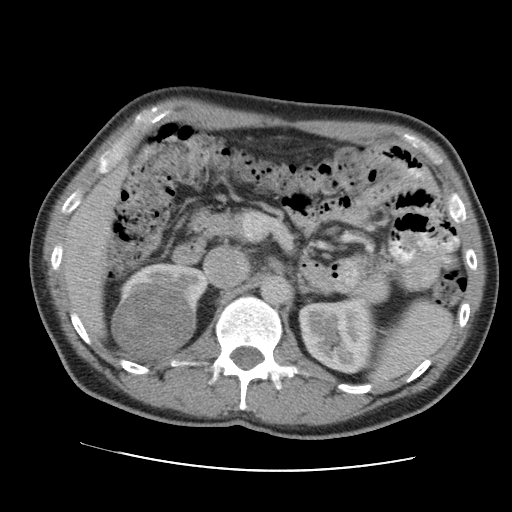
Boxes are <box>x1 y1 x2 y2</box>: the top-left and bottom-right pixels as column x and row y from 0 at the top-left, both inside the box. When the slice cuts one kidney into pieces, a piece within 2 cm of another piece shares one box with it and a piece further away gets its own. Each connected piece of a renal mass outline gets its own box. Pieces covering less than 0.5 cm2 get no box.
This is axial slice 76 of 105 (slice 1 is the lowest) of an arterial-phase abdominal CT with contrast; each pixel is 0.707 mm and the slice is 5.00 mm thick. Boxed on this slice (two kidney boxes and one renal mass box), listed by box centre from the image's left to its right: (1) Right renal mass at <box>111 281 196 360</box> (outlined area 5,244 px, about 26.2 cm2). (2) Right kidney: <box>119 262 209 309</box> (outlined area 1,894 px, about 9.5 cm2). (3) Left kidney: <box>298 294 375 374</box> (outlined area 4,774 px, about 23.9 cm2).
Tube voltage 120 kVp; convolution kernel STANDARD.